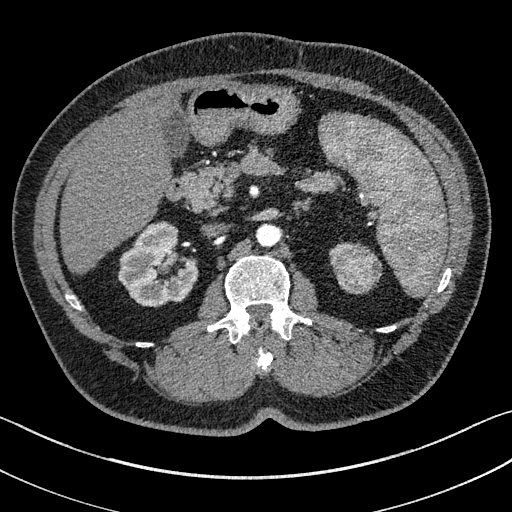
Arterial-phase contrast-enhanced abdominal CT, axial slice 94 of 195 (counted from the lowest slice); tube voltage 100 kVp, convolution kernel I31f; slices 1.50 mm thick, 0.707 mm per pixel.
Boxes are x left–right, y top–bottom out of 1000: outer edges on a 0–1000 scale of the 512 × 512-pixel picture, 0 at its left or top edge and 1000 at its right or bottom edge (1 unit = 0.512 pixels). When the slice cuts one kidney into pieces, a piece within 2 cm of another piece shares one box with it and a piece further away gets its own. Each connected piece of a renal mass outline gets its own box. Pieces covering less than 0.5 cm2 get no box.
Three boxes on this slice (two kidney boxes and one renal mass box), listed by box centre from the image's left to its right. (1) Box x 230–387, y 432–600 out of 1000: right kidney (outlined area 4,493 px, about 22.5 cm2). (2) Box x 645–697, y 475–520 out of 1000: left kidney (outlined area 209 px, about 1.0 cm2). (3) Box x 648–744, y 477–574 out of 1000: left renal mass (outlined area 1,773 px, about 8.9 cm2).